One axial slice (291 of 445, counting up from the lowest) of an arterial-phase abdominal CT acquired with 120 kVp, kernel STANDARD; each pixel is 0.863 mm and the slice is 1.25 mm thick.
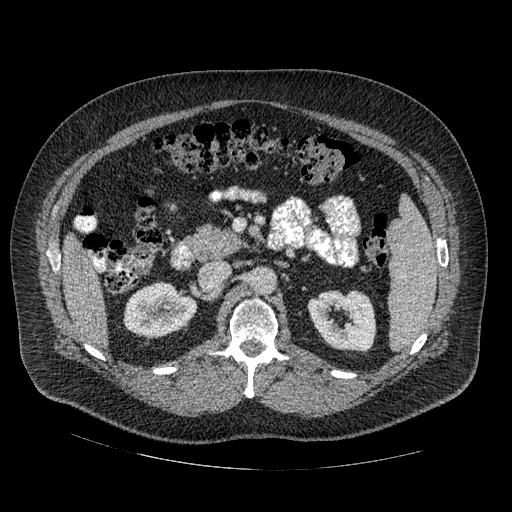
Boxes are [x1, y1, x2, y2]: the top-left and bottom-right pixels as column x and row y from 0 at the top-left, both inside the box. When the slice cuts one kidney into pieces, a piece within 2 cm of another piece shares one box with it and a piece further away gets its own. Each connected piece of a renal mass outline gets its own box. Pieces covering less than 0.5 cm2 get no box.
Boxed on this slice (two kidney boxes), listed by box centre from the image's left to its right: (1) Box [123, 281, 197, 337]: right kidney (outlined area 3,040 px, about 22.7 cm2). (2) Box [308, 290, 376, 351]: left kidney (outlined area 3,260 px, about 24.3 cm2). No renal mass is outlined on this slice.